Abdominal CT with intravenous contrast, axial plane, 120 kVp, kernel B30f. Slice 266/433 from the bottom of the scan; thickness 1.00 mm; pixel size 0.672 mm.
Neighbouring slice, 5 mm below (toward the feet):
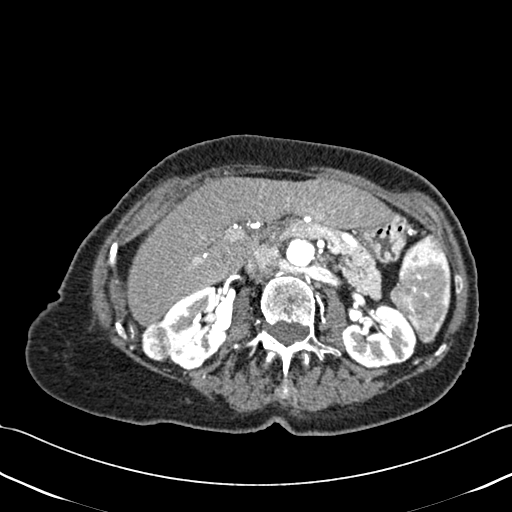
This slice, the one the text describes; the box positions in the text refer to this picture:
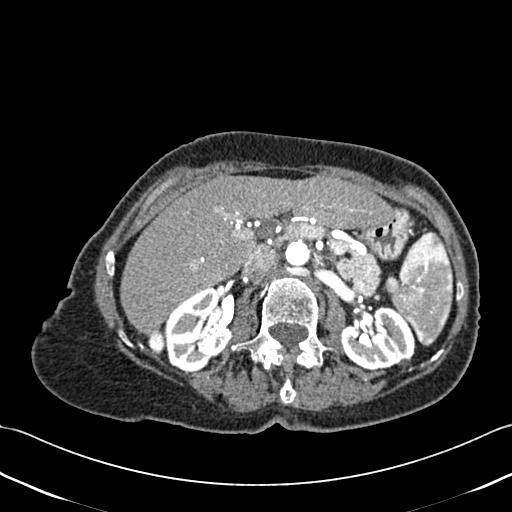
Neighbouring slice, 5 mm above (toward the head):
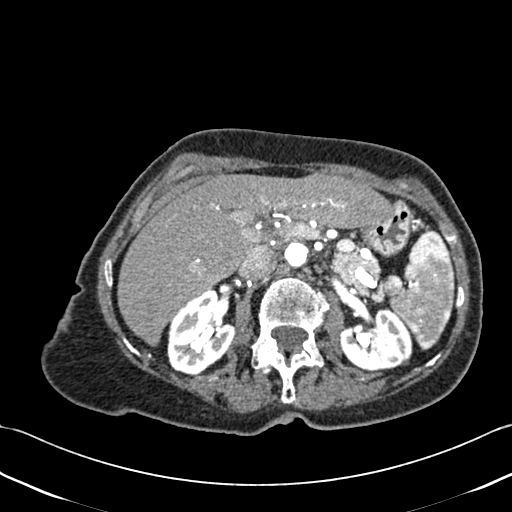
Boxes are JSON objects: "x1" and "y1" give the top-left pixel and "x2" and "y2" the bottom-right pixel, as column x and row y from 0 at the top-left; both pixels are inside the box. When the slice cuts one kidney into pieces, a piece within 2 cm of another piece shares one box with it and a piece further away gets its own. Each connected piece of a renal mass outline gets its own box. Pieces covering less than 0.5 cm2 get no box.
Two kidney boxes and one renal mass box on this slice; by box centre, from the image's left to its right: (1) Right renal mass, box {"x1": 148, "y1": 331, "x2": 165, "y2": 355} (outlined area 331 px, about 1.5 cm2). (2) Box {"x1": 163, "y1": 287, "x2": 233, "y2": 371}: right kidney (outlined area 4,162 px, about 18.8 cm2). (3) Left kidney at {"x1": 340, "y1": 306, "x2": 415, "y2": 370} (outlined area 3,640 px, about 16.4 cm2). This slice lies near the end of the right renal mass toward the head; the slices 5 mm below and 5 mm above it are shown too, and the boxes mark positions on this slice only.